Axial slice 40 of 55 of a contrast-enhanced abdominal CT (slice 1 is the lowest), 120 kVp, kernel B30f; 5.00 mm slice thickness and 0.908 mm pixels.
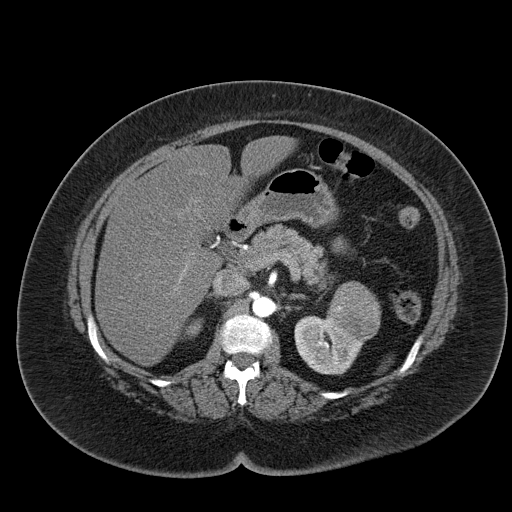
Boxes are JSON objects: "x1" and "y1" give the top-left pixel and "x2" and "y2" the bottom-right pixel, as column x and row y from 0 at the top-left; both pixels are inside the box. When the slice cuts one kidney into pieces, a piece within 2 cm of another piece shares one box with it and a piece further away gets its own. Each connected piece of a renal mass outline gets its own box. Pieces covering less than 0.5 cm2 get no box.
Boxed on this slice (two kidney boxes and one renal mass box), listed by box centre from the image's left to its right: (1) Right kidney, box {"x1": 183, "y1": 318, "x2": 203, "y2": 338} (outlined area 263 px, about 2.2 cm2). (2) Box {"x1": 294, "y1": 315, "x2": 364, "y2": 374}: left kidney (outlined area 2,956 px, about 24.4 cm2). (3) Box {"x1": 326, "y1": 281, "x2": 381, "y2": 341}: left renal mass (outlined area 2,256 px, about 18.6 cm2).